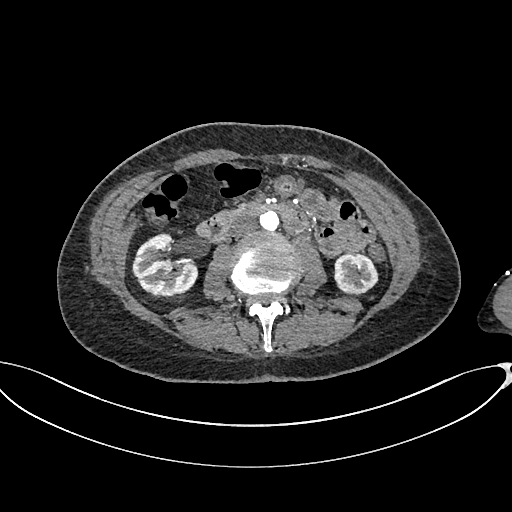
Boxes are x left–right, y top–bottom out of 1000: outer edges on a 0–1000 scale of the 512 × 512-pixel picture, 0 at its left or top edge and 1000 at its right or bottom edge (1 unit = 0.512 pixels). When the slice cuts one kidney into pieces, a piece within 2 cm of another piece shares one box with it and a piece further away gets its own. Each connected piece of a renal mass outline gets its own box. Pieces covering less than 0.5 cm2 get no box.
Arterial-phase contrast-enhanced abdominal CT, axial slice 340 of 665 (counted from the lowest slice); 1.00 mm thick, 0.828 mm per pixel. Two kidney boxes on this slice; by box centre, from the image's left to its right: (1) Box x 258–389, y 455–586 out of 1000: right kidney (outlined area 3,111 px, about 21.3 cm2). (2) Left kidney at x 652–740, y 494–578 out of 1000 (outlined area 1,519 px, about 10.4 cm2). No renal mass outline on this slice.
Scan settings: 100 kVp, I26f reconstruction kernel.